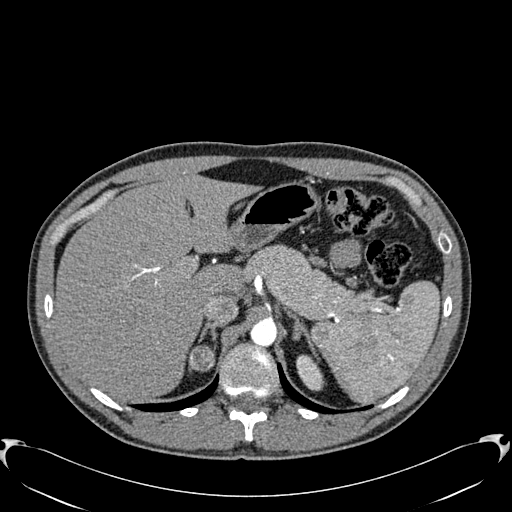
Abdominal CT with intravenous contrast, arterial phase, axial plane, 120 kVp, kernel B30f. Slice 455/512 from the bottom of the scan; thickness 1.00 mm; pixel size 0.771 mm.
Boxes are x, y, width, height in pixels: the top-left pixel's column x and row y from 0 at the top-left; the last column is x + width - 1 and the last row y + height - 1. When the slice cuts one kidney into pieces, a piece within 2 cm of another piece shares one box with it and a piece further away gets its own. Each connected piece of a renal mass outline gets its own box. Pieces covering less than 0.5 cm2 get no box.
Boxed on this slice (two kidney boxes and one renal mass box), listed by box centre from the image's left to its right: (1) Box x 188, y 345, width 13, height 26: right kidney (outlined area 120 px, about 0.7 cm2). (2) Right renal mass, box x 193, y 345, width 23, height 27 (outlined area 486 px, about 2.9 cm2). (3) Left kidney, box x 296, y 354, width 30, height 38 (outlined area 742 px, about 4.4 cm2).